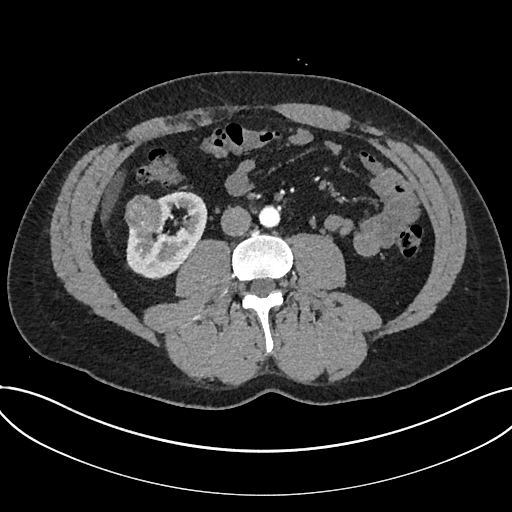
Abdominal CT with intravenous contrast, arterial phase, axial plane, 120 kVp, kernel I30f. Slice 332/735 from the bottom of the scan; thickness 1.00 mm; pixel size 0.789 mm.
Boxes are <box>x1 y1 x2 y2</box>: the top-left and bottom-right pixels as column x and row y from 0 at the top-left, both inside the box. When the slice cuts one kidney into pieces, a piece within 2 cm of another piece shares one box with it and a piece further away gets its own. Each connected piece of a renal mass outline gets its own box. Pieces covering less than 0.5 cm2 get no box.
One kidney box and one renal mass box on this slice; by box centre, from the image's left to its right: (1) Renal mass: <box>124 195 163 234</box> (outlined area 1,255 px, about 7.8 cm2). (2) At <box>126 190 207 279</box>: kidney (outlined area 4,133 px, about 25.7 cm2).